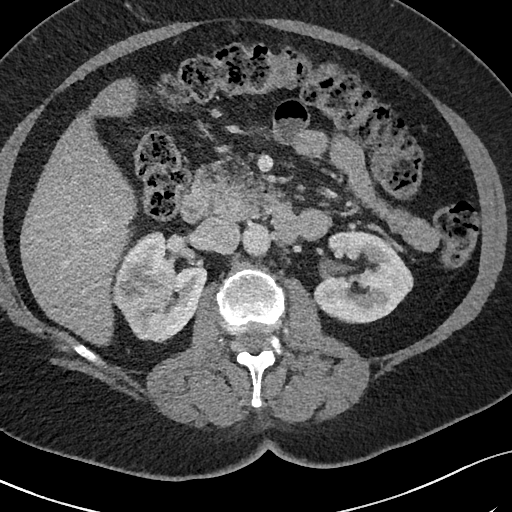
Arterial-phase contrast-enhanced abdominal CT, axial slice 43 of 69 (counted from the lowest slice); tube voltage 120 kVp, convolution kernel I40f; slices 3.00 mm thick, 0.664 mm per pixel.
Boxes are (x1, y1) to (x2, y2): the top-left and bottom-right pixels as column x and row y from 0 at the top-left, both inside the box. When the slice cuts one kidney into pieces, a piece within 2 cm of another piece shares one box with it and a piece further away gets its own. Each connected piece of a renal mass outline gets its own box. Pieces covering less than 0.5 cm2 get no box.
Three boxes on this slice (two kidney boxes and one renal mass box), listed by box centre from the image's left to its right. (1) Right renal mass from (113, 279) to (145, 308) (outlined area 799 px, about 3.5 cm2). (2) Box (114, 231) to (207, 342): right kidney (outlined area 6,624 px, about 29.2 cm2). (3) Left kidney from (313, 229) to (413, 323) (outlined area 6,710 px, about 29.6 cm2).